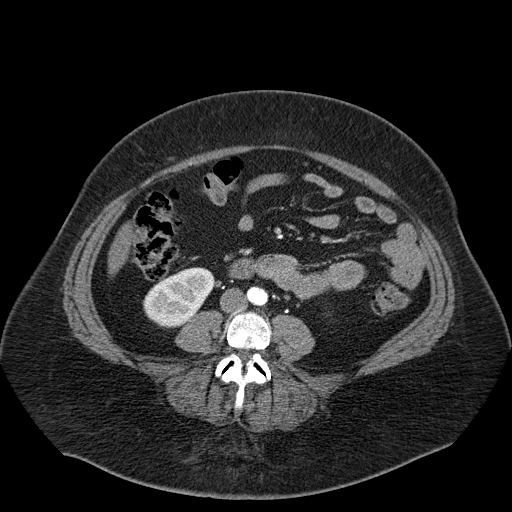
One axial slice (24 of 55, counting up from the lowest) of a contrast-enhanced abdominal CT acquired with 120 kVp, kernel B30f; each pixel is 0.908 mm and the slice is 5.00 mm thick.
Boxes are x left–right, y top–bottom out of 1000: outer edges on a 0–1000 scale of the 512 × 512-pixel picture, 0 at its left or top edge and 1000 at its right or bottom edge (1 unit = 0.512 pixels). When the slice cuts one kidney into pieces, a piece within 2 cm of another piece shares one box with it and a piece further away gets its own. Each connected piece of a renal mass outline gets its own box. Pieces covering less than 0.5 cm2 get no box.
Right kidney, box x 279–418, y 521–643 out of 1000 (outlined area 2,986 px, about 24.6 cm2). No renal mass is outlined on this slice.